One axial slice (113 of 207, counting up from the lowest) of an arterial-phase abdominal CT acquired with 120 kVp, kernel FC18; each pixel is 0.741 mm and the slice is 2.00 mm thick.
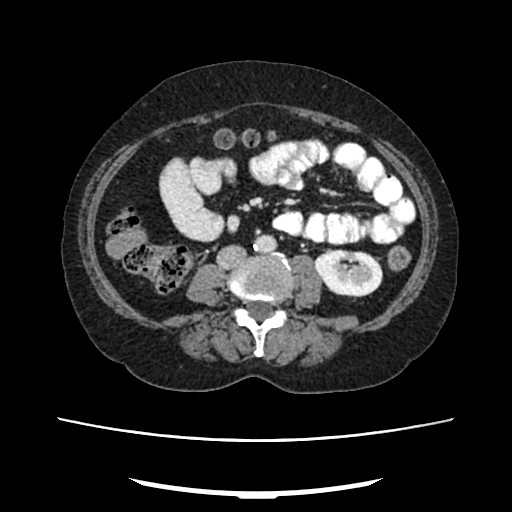
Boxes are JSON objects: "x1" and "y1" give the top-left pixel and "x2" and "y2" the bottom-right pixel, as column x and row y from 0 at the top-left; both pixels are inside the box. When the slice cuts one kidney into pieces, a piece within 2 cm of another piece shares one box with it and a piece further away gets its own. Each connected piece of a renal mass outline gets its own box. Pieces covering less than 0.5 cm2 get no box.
Box {"x1": 314, "y1": 248, "x2": 382, "y2": 297}: left kidney (outlined area 2,625 px, about 14.4 cm2). This slice carries no renal mass outline.